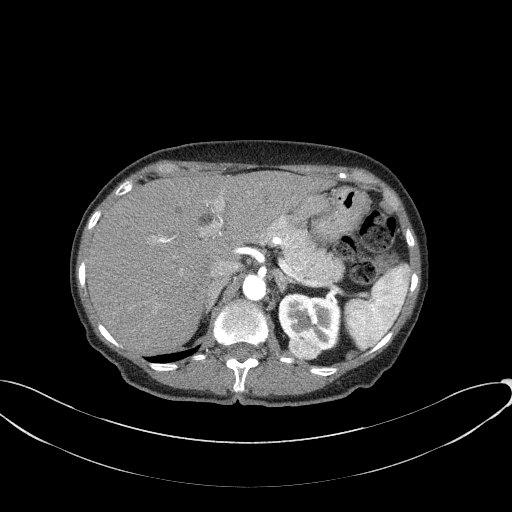
Arterial-phase contrast-enhanced abdominal CT, axial slice 49 of 77 (counted from the lowest slice); tube voltage 100 kVp, convolution kernel B41f; slices 3.00 mm thick, 0.809 mm per pixel.
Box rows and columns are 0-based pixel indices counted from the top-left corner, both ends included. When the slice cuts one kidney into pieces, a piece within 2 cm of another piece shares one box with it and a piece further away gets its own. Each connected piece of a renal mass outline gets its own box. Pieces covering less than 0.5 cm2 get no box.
Boxed on this slice (one kidney box and one renal mass box), listed by box centre from the image's left to its right: (1) Left renal mass at rows 330–360, columns 288–320 (outlined area 804 px, about 5.3 cm2). (2) Left kidney, box rows 292–353, columns 278–342 (outlined area 2,548 px, about 16.7 cm2).